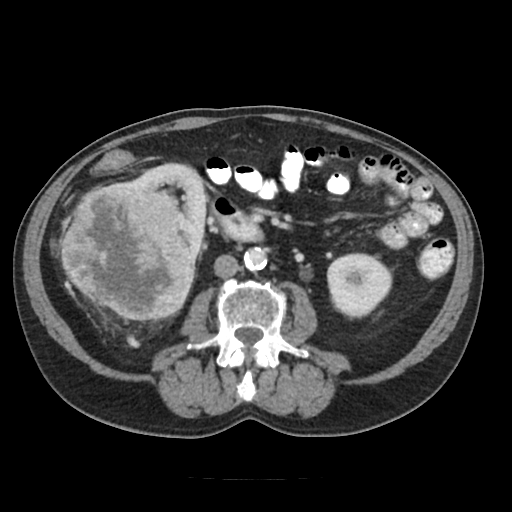
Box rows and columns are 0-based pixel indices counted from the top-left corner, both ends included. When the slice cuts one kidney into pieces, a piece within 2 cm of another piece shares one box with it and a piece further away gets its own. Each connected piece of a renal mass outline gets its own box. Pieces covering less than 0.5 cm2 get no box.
Slice 54/91 of a contrast-enhanced abdominal CT, counting up from the lowest; pixel size 0.766 mm, slice thickness 5.00 mm. Two kidney boxes and one renal mass box on this slice; by box centre, from the image's left to its right: (1) Right renal mass at rows 182–319, columns 61–194 (outlined area 13,957 px, about 81.9 cm2). (2) Right kidney at rows 163–269, columns 130–206 (outlined area 3,022 px, about 17.7 cm2). (3) Left kidney, box rows 252–320, columns 326–392 (outlined area 3,424 px, about 20.1 cm2).
Scan settings: 120 kVp, FC18 reconstruction kernel.